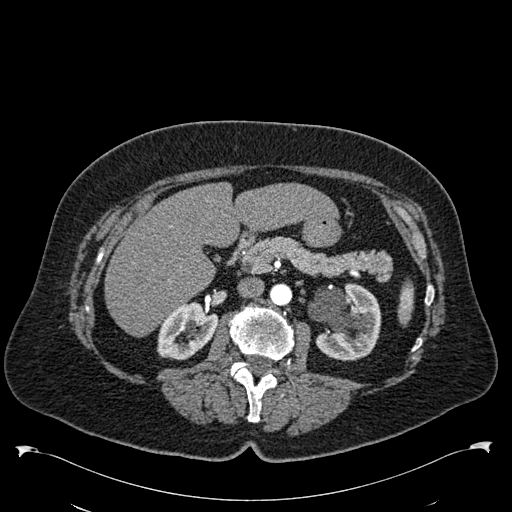
One axial slice (337 of 538, counting up from the lowest) of an arterial-phase abdominal CT acquired with 120 kVp, kernel B30f; each pixel is 0.811 mm and the slice is 1.00 mm thick.
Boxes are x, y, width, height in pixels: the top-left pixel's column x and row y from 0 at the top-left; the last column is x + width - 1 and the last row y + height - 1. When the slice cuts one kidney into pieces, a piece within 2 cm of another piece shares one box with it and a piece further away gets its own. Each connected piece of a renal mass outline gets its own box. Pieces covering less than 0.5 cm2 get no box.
Boxed on this slice (two kidney boxes), listed by box centre from the image's left to its right: (1) Right kidney, box x 157, y 301, width 62, height 60 (outlined area 2,475 px, about 16.3 cm2). (2) Left kidney at x 308, y 283, width 74, height 78 (outlined area 4,276 px, about 28.1 cm2). No renal mass outline on this slice.